Abdominal CT with intravenous contrast, arterial phase, axial plane, 100 kVp, kernel I30f. Slice 168/1059 from the bottom of the scan; thickness 1.00 mm; pixel size 0.811 mm.
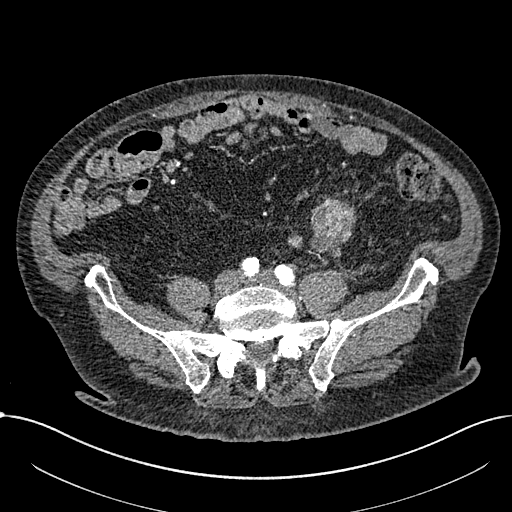
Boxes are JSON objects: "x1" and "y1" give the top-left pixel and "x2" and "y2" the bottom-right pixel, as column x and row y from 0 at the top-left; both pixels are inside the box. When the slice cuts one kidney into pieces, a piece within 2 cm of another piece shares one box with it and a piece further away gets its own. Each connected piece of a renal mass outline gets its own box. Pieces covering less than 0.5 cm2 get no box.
Two boxes on this slice (two renal mass boxes), listed by box centre from the image's left to its right. (1) Box {"x1": 287, "y1": 233, "x2": 299, "y2": 245}: renal mass (outlined area 123 px, about 0.8 cm2); no kidney outline appears on this slice, but the same outlined renal mass comes within 1 cm of the kidney on another slice. (2) Renal mass at {"x1": 311, "y1": 196, "x2": 356, "y2": 258} (outlined area 2,059 px, about 13.5 cm2); no kidney is outlined on this slice, but the same outlined renal mass comes within 1 cm of the kidney on another slice.